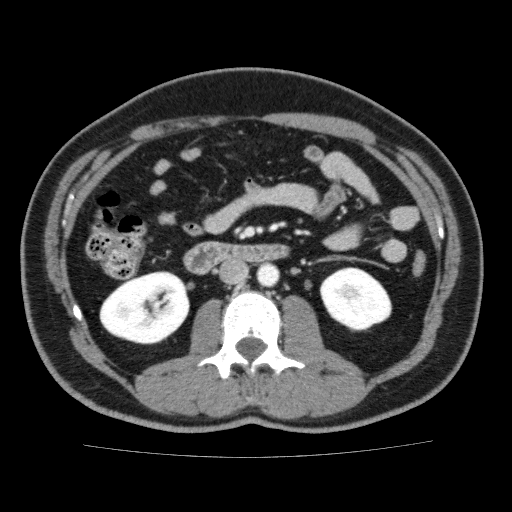
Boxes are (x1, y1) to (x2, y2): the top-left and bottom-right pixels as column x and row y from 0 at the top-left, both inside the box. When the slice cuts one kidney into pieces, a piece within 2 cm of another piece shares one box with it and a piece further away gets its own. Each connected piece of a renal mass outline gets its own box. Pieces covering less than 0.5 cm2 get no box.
Slice 94/159 of a contrast-enhanced abdominal CT, counting up from the lowest; pixel size 0.668 mm, slice thickness 3.00 mm. Boxed on this slice (two kidney boxes), listed by box centre from the image's left to its right: (1) Right kidney, box (99, 271) to (189, 344) (outlined area 5,066 px, about 22.6 cm2). (2) Box (319, 267) to (392, 331): left kidney (outlined area 3,433 px, about 15.3 cm2). No renal mass is outlined on this slice.
Scan settings: 120 kVp, FC13 reconstruction kernel.